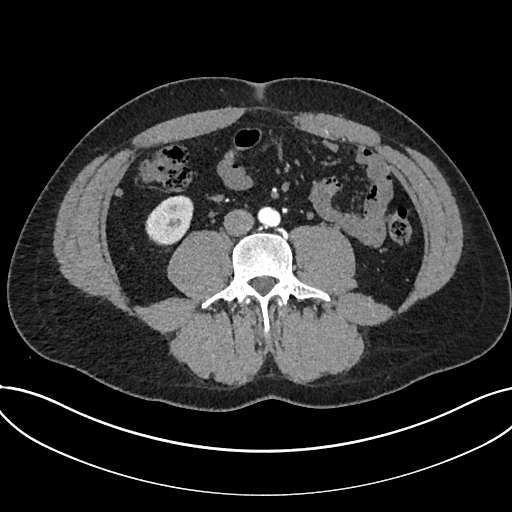
One axial slice (281 of 735, counting up from the lowest) of an arterial-phase abdominal CT acquired with 120 kVp, kernel I30f; each pixel is 0.789 mm and the slice is 1.00 mm thick.
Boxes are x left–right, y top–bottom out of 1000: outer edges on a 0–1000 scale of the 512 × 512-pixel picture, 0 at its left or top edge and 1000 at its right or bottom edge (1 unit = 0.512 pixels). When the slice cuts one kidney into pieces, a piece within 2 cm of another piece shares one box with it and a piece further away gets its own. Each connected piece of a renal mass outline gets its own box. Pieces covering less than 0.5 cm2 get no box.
Kidney at x 283–379, y 381–480 out of 1000 (outlined area 1,830 px, about 11.4 cm2). This slice carries no renal mass outline.